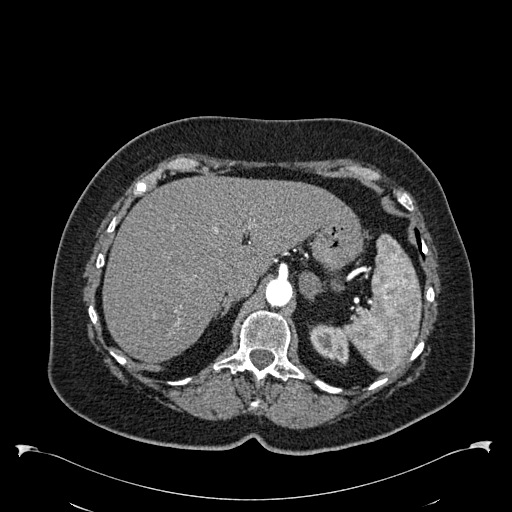
Arterial-phase contrast-enhanced abdominal CT, axial slice 436 of 538 (counted from the lowest slice); tube voltage 120 kVp, convolution kernel B30f; slices 1.00 mm thick, 0.811 mm per pixel.
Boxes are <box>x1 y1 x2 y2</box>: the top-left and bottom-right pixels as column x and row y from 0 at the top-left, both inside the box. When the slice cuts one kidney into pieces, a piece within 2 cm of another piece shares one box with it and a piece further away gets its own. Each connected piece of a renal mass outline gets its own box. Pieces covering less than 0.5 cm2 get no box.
Left kidney: <box>309 324 348 364</box> (outlined area 1,194 px, about 7.8 cm2). This slice carries no renal mass outline.